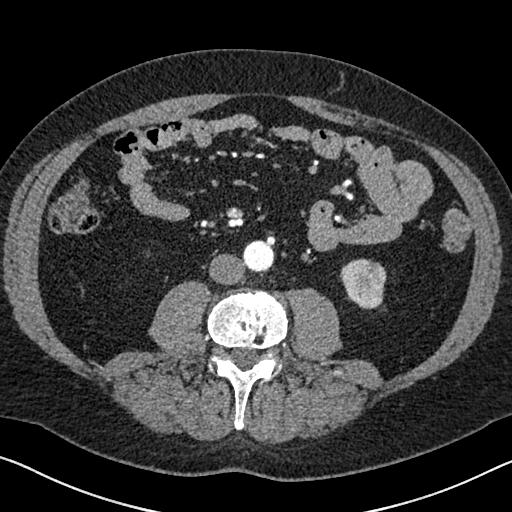
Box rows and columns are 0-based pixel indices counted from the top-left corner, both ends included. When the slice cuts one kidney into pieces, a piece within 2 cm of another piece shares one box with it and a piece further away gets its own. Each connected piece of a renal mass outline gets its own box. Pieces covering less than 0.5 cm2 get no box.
Slice 290/626 of a contrast-enhanced abdominal CT in the arterial phase, counting up from the lowest; pixel size 0.703 mm, slice thickness 1.00 mm. Left kidney at rows 258–309, columns 340–385 (outlined area 1,818 px, about 9.0 cm2). This slice carries no renal mass outline.
Scan settings: 120 kVp, I30f reconstruction kernel.